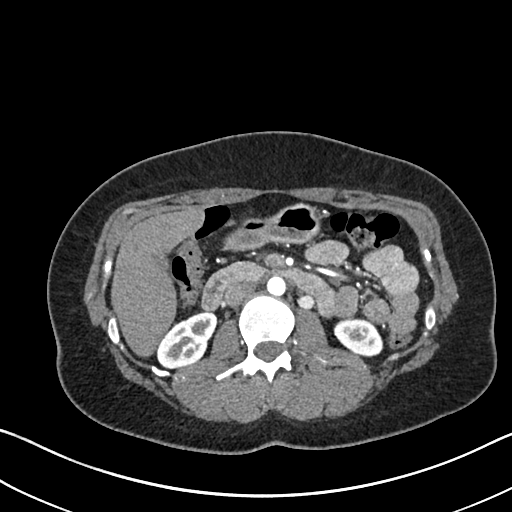
Axial slice 389 of 612 of a contrast-enhanced abdominal CT in the arterial phase (slice 1 is the lowest), 120 kVp, kernel I30f; 1.00 mm slice thickness and 0.703 mm pixels.
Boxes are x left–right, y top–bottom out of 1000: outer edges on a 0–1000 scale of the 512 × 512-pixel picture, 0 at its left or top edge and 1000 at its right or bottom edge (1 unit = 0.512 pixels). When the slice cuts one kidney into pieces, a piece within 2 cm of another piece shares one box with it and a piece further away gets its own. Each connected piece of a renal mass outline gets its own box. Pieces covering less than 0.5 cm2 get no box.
Two kidney boxes on this slice; by box centre, from the image's left to its right: (1) Right kidney at x 307–424, y 607–721 out of 1000 (outlined area 2,243 px, about 11.1 cm2). (2) Left kidney at x 650–750, y 621–695 out of 1000 (outlined area 1,428 px, about 7.1 cm2). This slice carries no renal mass outline.